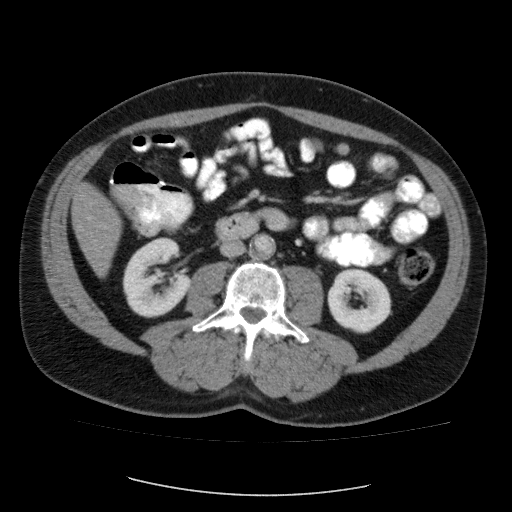
Contrast-enhanced abdominal CT, axial slice 48 of 87 (counted from the lowest slice); tube voltage 120 kVp, convolution kernel FC12; slices 5.00 mm thick, 0.812 mm per pixel.
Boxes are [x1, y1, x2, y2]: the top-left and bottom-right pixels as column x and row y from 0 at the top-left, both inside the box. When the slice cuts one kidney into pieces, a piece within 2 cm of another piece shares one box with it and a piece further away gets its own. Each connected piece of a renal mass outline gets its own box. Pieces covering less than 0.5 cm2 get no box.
Two boxes on this slice (two kidney boxes), listed by box centre from the image's left to its right. (1) Right kidney, box [122, 237, 191, 317] (outlined area 3,947 px, about 26.0 cm2). (2) Left kidney at [327, 268, 391, 333] (outlined area 3,136 px, about 20.7 cm2). This slice carries no renal mass outline.